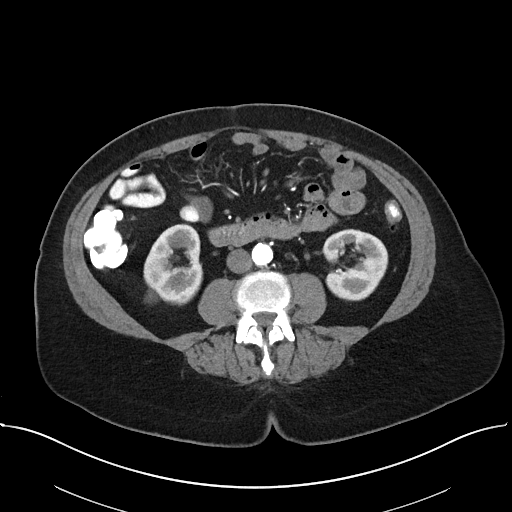
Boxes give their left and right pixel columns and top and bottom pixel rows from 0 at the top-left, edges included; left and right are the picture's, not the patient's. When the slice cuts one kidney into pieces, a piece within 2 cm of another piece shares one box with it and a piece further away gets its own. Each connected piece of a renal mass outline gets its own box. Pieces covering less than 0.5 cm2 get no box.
Slice 11/38 of a contrast-enhanced abdominal CT in the arterial phase, counting up from the lowest; pixel size 0.822 mm, slice thickness 5.00 mm. Two kidney boxes on this slice; by box centre, from the image's left to its right: (1) Right kidney in the box with left 143, top 223, right 202, bottom 305 (outlined area 3,697 px, about 25.0 cm2). (2) Left kidney in the box with left 321, top 229, right 388, bottom 300 (outlined area 3,477 px, about 23.5 cm2). No renal mass is outlined on this slice.
Acquired at 100 kVp and reconstructed with the I40f kernel.